Axial slice 365 of 538 of a contrast-enhanced abdominal CT in the arterial phase (slice 1 is the lowest), 120 kVp, kernel B30f; 1.00 mm slice thickness and 0.811 mm pixels.
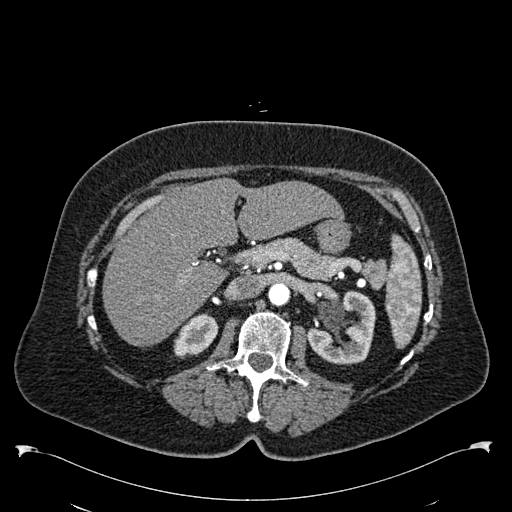
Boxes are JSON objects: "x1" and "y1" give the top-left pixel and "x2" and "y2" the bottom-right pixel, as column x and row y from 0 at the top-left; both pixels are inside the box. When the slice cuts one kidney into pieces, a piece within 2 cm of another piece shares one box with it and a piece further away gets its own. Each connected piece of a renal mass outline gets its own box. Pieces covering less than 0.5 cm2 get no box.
Two boxes on this slice (two kidney boxes), listed by box centre from the image's left to its right. (1) Right kidney at {"x1": 173, "y1": 313, "x2": 218, "y2": 358} (outlined area 1,373 px, about 9.0 cm2). (2) Left kidney, box {"x1": 306, "y1": 290, "x2": 375, "y2": 363} (outlined area 3,599 px, about 23.6 cm2). No renal mass outline on this slice.